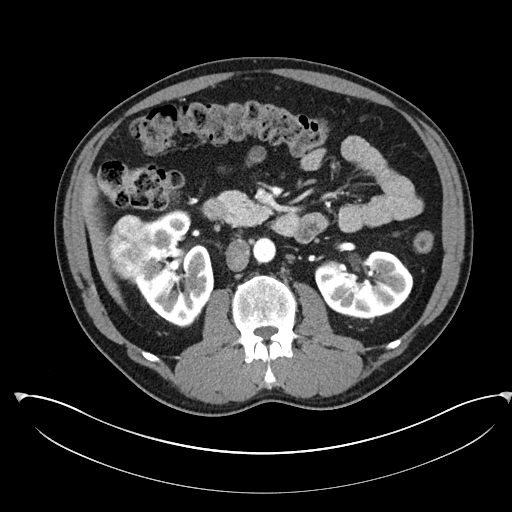
Axial slice 136 of 302 of a contrast-enhanced abdominal CT in the arterial phase (slice 1 is the lowest), 100 kVp, kernel I30f; 5.00 mm slice thickness and 0.875 mm pixels.
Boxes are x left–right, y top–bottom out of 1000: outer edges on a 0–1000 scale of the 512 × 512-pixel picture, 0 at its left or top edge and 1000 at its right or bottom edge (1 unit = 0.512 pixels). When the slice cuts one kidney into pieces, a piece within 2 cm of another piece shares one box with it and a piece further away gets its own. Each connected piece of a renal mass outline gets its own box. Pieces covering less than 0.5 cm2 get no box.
Boxed on this slice (two kidney boxes and one renal mass box), listed by box centre from the image's left to its right: (1) Right renal mass, box x 205–297, y 420–553 out of 1000 (outlined area 2,333 px, about 17.9 cm2). (2) Right kidney, box x 252–420, y 408–641 out of 1000 (outlined area 6,310 px, about 48.3 cm2). (3) Box x 613–809, y 488–625 out of 1000: left kidney (outlined area 5,047 px, about 38.6 cm2).